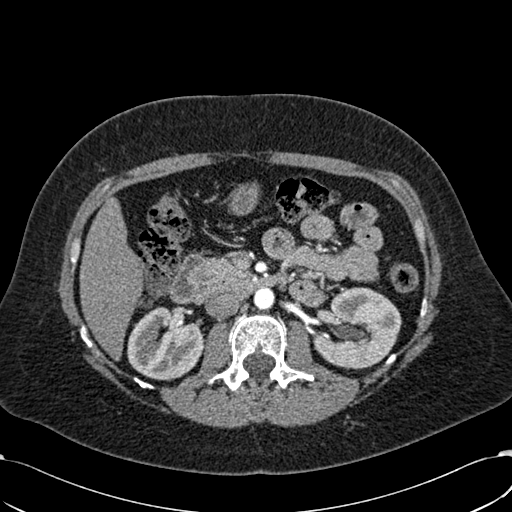
Axial slice 362 of 532 of a contrast-enhanced abdominal CT in the arterial phase (slice 1 is the lowest), 120 kVp, kernel B30f; 1.00 mm slice thickness and 0.713 mm pixels.
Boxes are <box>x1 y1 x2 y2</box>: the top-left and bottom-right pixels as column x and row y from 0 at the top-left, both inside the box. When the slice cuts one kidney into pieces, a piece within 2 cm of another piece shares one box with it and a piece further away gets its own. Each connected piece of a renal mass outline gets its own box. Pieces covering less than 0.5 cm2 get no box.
Two boxes on this slice (two kidney boxes), listed by box centre from the image's left to its right. (1) Right kidney at <box>127 307 203 380</box> (outlined area 4,202 px, about 21.4 cm2). (2) Left kidney: <box>312 287 401 369</box> (outlined area 5,322 px, about 27.0 cm2). No renal mass outline on this slice.